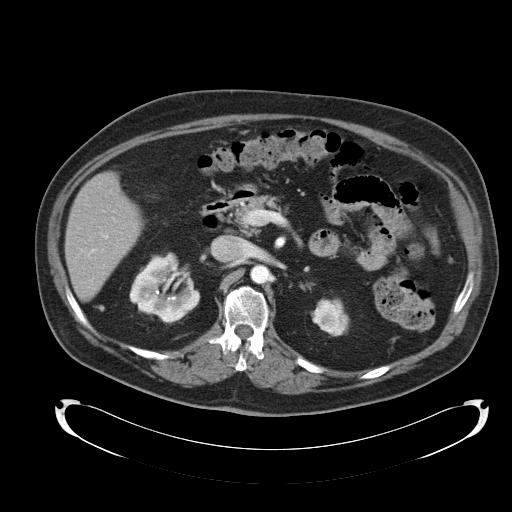
Abdominal CT with intravenous contrast, axial plane, 120 kVp, kernel B30f. Slice 68/92 from the bottom of the scan; thickness 5.00 mm; pixel size 0.918 mm.
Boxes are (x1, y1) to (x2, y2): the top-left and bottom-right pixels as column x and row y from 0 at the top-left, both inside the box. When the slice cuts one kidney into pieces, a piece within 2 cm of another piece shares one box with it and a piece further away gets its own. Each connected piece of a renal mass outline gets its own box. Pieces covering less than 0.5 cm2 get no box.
Boxed on this slice (two kidney boxes), listed by box centre from the image's left to its right: (1) Box (129, 253) to (200, 324): right kidney (outlined area 3,420 px, about 28.8 cm2). (2) Box (310, 298) to (350, 336): left kidney (outlined area 1,128 px, about 9.5 cm2). No renal mass outline on this slice.